Abdominal CT with intravenous contrast, arterial phase, axial plane, 120 kVp, kernel B20f. Slice 443/634 from the bottom of the scan; thickness 1.00 mm; pixel size 0.838 mm.
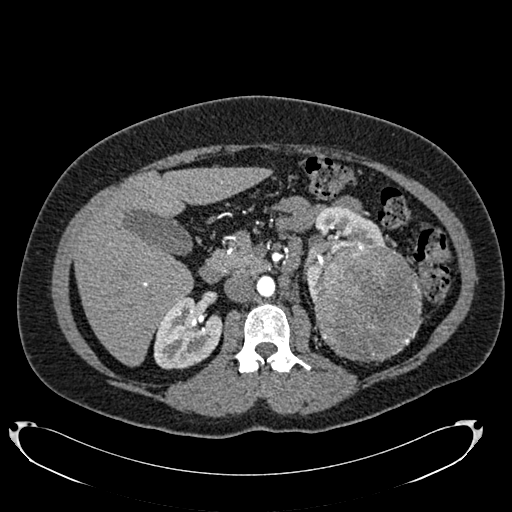
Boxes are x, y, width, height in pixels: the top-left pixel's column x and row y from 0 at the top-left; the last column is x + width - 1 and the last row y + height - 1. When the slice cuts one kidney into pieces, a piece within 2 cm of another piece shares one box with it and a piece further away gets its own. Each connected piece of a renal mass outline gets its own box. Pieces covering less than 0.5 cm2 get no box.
Two kidney boxes and one renal mass box on this slice; by box centre, from the image's left to its right: (1) Right kidney at x 153, y 296, width 70, height 74 (outlined area 3,645 px, about 25.6 cm2). (2) Left kidney, box x 304, y 205, width 85, height 97 (outlined area 2,894 px, about 20.3 cm2). (3) Left renal mass at x 311, y 241, width 113, height 122 (outlined area 10,618 px, about 74.5 cm2).